Contrast-enhanced abdominal CT, axial slice 64 of 103 (counted from the lowest slice); tube voltage 120 kVp, convolution kernel STANDARD; slices 2.50 mm thick, 0.820 mm per pixel.
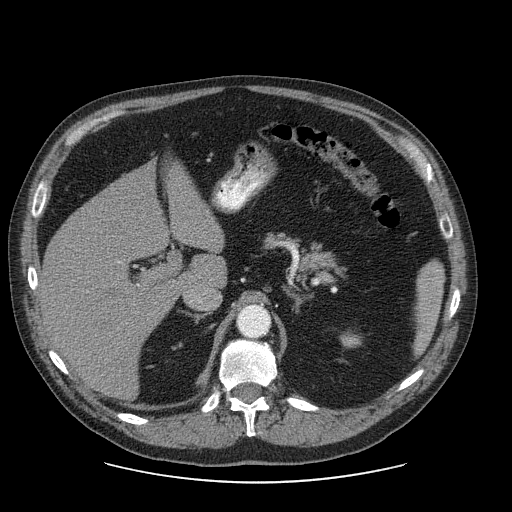
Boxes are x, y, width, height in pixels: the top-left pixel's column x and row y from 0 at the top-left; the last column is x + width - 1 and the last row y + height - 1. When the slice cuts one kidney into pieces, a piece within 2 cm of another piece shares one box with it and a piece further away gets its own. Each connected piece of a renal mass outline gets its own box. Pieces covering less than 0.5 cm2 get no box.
Box x 339, y 333, width 23, height 16: left kidney (outlined area 241 px, about 1.6 cm2). No renal mass outline on this slice.